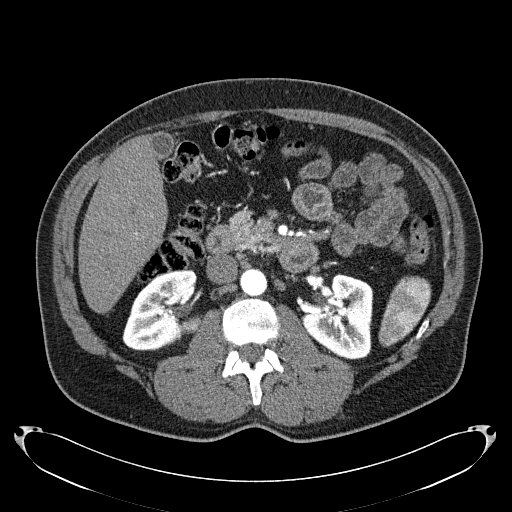
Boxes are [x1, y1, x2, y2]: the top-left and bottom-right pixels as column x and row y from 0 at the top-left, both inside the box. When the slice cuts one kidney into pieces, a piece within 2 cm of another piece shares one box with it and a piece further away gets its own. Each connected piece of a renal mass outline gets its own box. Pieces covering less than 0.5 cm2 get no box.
Arterial-phase contrast-enhanced abdominal CT, axial slice 117 of 279 (counted from the lowest slice); 2.00 mm thick, 0.824 mm per pixel. Two boxes on this slice (two kidney boxes), listed by box centre from the image's left to its right. (1) Right kidney, box [122, 268, 197, 349] (outlined area 4,314 px, about 29.3 cm2). (2) Left kidney, box [300, 273, 373, 359] (outlined area 4,594 px, about 31.2 cm2). No renal mass is outlined on this slice.
Acquired at 120 kVp and reconstructed with the B31f kernel.